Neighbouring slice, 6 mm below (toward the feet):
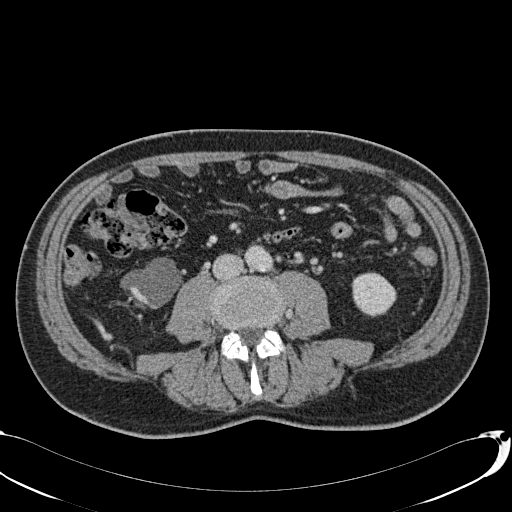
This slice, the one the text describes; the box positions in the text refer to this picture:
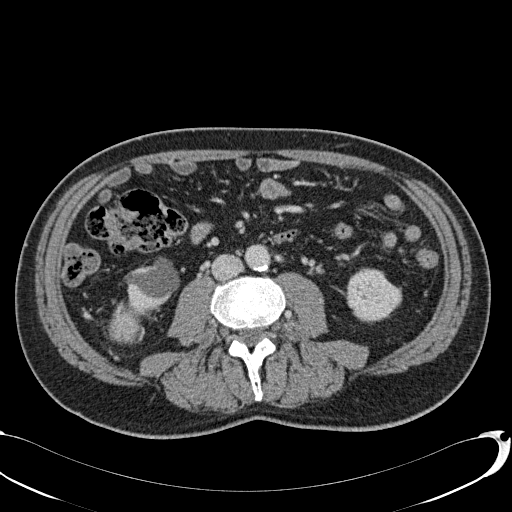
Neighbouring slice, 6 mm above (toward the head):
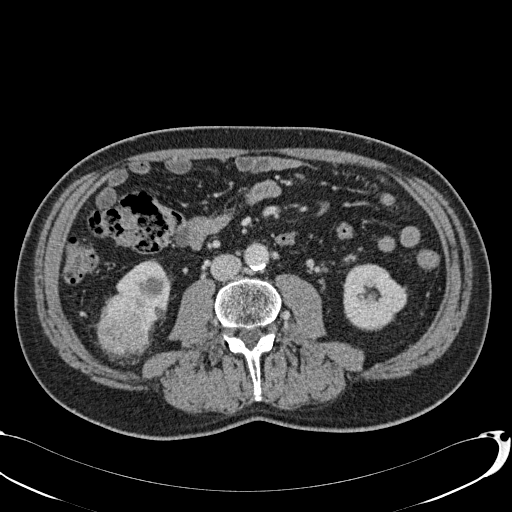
Axial slice 17 of 113 of a contrast-enhanced abdominal CT (slice 1 is the lowest), 120 kVp, kernel B31f; 2.00 mm slice thickness and 0.742 mm pixels.
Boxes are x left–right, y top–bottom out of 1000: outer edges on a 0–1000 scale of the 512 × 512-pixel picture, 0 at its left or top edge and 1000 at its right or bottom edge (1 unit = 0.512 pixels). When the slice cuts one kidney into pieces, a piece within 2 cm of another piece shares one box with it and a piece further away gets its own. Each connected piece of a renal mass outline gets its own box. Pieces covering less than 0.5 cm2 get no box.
Three boxes on this slice (two kidney boxes and one renal mass box), listed by box centre from the image's left to its right. (1) Box x 209–277, y 588–674 out of 1000: right renal mass (outlined area 1,064 px, about 5.9 cm2). (2) Right kidney at x 242–352, y 500–619 out of 1000 (outlined area 2,144 px, about 11.8 cm2). (3) Left kidney, box x 676–787, y 521–633 out of 1000 (outlined area 2,326 px, about 12.8 cm2). This slice is near the end of the right renal mass toward the feet, so the slices 6 mm below and 6 mm above it are shown as well; the boxes refer to this slice only.